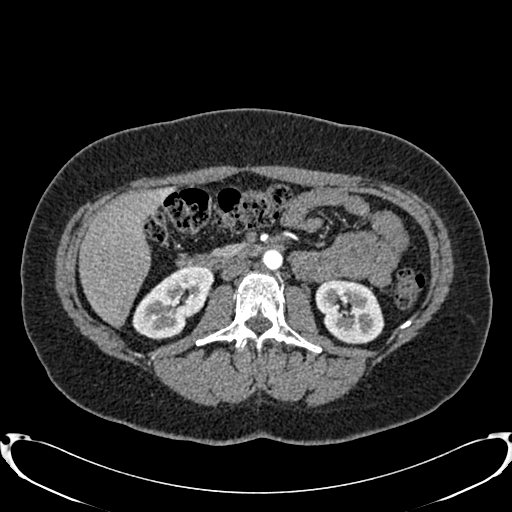
Axial slice 434 of 719 of a contrast-enhanced abdominal CT in the arterial phase (slice 1 is the lowest), 120 kVp, kernel B20f; 1.00 mm slice thickness and 0.766 mm pixels.
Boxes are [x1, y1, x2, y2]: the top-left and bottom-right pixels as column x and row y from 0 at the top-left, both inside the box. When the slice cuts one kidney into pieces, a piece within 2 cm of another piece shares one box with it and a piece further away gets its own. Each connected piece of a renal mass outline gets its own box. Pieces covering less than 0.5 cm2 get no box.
Boxed on this slice (two kidney boxes), listed by box centre from the image's left to its right: (1) Right kidney, box [132, 265, 213, 340] (outlined area 3,834 px, about 22.5 cm2). (2) Box [315, 278, 384, 343]: left kidney (outlined area 3,412 px, about 20.0 cm2). No renal mass is outlined on this slice.